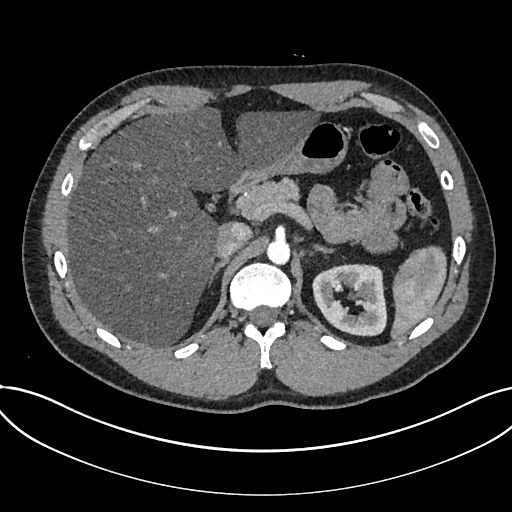
Axial slice 519 of 735 of a contrast-enhanced abdominal CT in the arterial phase (slice 1 is the lowest), 120 kVp, kernel I30f; 1.00 mm slice thickness and 0.789 mm pixels.
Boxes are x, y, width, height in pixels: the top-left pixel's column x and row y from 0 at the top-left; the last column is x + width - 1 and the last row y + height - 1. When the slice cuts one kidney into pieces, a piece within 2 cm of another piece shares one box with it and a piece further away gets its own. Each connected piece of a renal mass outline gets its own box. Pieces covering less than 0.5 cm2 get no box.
Kidney, box x 312, y 264, width 76, height 73 (outlined area 4,146 px, about 25.8 cm2). This slice carries no renal mass outline.